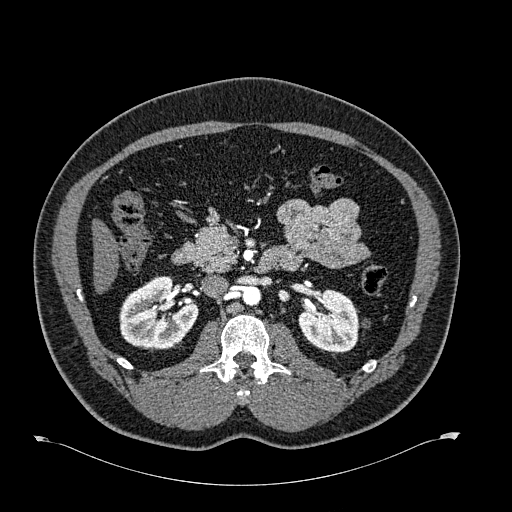
One axial slice (377 of 723, counting up from the lowest) of an arterial-phase abdominal CT acquired with 120 kVp, kernel B30f; each pixel is 0.895 mm and the slice is 1.00 mm thick.
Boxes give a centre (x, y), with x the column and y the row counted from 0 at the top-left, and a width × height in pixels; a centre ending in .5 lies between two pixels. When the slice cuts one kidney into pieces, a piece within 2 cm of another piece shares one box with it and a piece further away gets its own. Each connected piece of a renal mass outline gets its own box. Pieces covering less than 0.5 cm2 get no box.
Boxed on this slice (two kidney boxes), listed by box centre from the image's left to its right: (1) Box centre (158.5, 313.5), 80 × 76 pixels: right kidney (outlined area 4,265 px, about 34.1 cm2). (2) Left kidney in a box with centre (334, 320.5), 73 × 64 pixels (outlined area 2,997 px, about 24.0 cm2). No renal mass outline on this slice.